One axial slice (105 of 153, counting up from the lowest) of a contrast-enhanced abdominal CT acquired with 120 kVp, kernel I41f; each pixel is 0.893 mm and the slice is 3.00 mm thick.
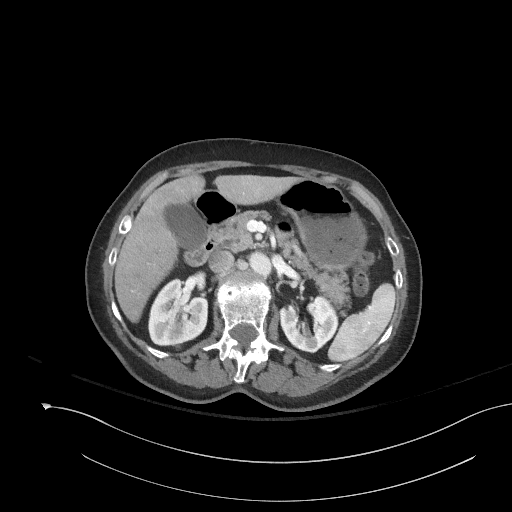
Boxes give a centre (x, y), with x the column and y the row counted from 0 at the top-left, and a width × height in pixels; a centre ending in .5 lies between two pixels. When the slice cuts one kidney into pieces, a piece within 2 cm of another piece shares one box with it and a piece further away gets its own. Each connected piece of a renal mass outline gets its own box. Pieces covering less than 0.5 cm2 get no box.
Boxed on this slice (two kidney boxes), listed by box centre from the image's left to its right: (1) Box centre (177.5, 310.5), 60 × 68 pixels: right kidney (outlined area 3,011 px, about 24.0 cm2). (2) Left kidney in a box with centre (308.5, 324), 60 × 59 pixels (outlined area 2,306 px, about 18.4 cm2). No renal mass is outlined on this slice.